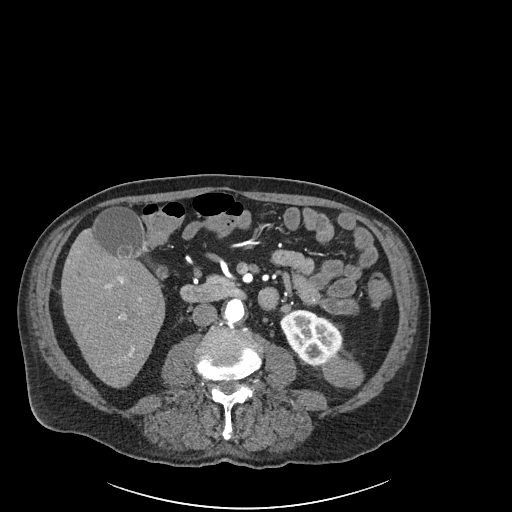
Axial slice 76 of 261 of a contrast-enhanced abdominal CT in the arterial phase (slice 1 is the lowest), 120 kVp, kernel I30f; 2.00 mm slice thickness and 0.939 mm pixels.
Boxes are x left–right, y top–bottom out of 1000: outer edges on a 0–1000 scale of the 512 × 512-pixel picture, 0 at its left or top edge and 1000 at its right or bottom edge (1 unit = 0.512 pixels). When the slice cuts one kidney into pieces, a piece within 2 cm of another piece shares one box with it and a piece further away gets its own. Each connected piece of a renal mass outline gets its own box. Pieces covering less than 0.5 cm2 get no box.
Boxed on this slice (one kidney box and one renal mass box), listed by box centre from the image's left to its right: (1) Box x 547–668, y 604–715 out of 1000: left kidney (outlined area 2,408 px, about 21.3 cm2). (2) Box x 625–713, y 695–760 out of 1000: left renal mass (outlined area 1,065 px, about 9.4 cm2).